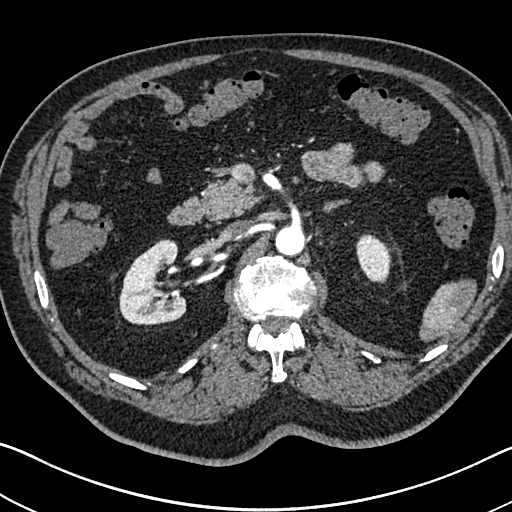
One axial slice (459 of 705, counting up from the lowest) of an arterial-phase abdominal CT acquired with 120 kVp, kernel I30f; each pixel is 0.703 mm and the slice is 1.00 mm thick.
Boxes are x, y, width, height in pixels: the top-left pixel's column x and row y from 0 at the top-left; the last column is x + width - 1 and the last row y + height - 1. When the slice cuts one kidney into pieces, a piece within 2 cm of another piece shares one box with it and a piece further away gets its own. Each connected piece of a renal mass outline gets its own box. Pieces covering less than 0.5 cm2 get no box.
Two kidney boxes on this slice; by box centre, from the image's left to its right: (1) Right kidney, box x 119, y 239, width 68, height 87 (outlined area 4,172 px, about 20.6 cm2). (2) Left kidney, box x 356, y 234, width 37, height 50 (outlined area 1,334 px, about 6.6 cm2). This slice carries no renal mass outline.